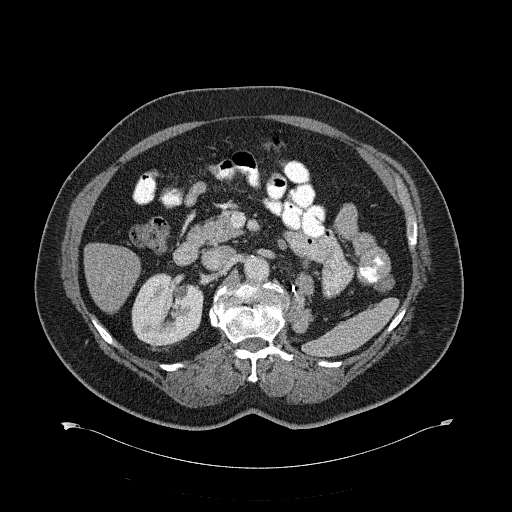
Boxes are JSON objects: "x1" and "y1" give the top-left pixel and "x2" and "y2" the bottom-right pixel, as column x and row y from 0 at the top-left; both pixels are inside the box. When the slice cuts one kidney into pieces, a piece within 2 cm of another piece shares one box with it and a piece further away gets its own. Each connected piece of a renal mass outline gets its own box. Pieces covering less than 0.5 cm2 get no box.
Slice 383/734 of a contrast-enhanced abdominal CT, counting up from the lowest; pixel size 0.971 mm, slice thickness 2.00 mm. Box {"x1": 131, "y1": 273, "x2": 202, "y2": 349}: right kidney (outlined area 4,184 px, about 39.4 cm2).
Acquired at 120 kVp and reconstructed with the B31f kernel.